One axial slice (66 of 102, counting up from the lowest) of a contrast-enhanced abdominal CT acquired with 120 kVp, kernel I40f; each pixel is 0.977 mm and the slice is 5.00 mm thick.
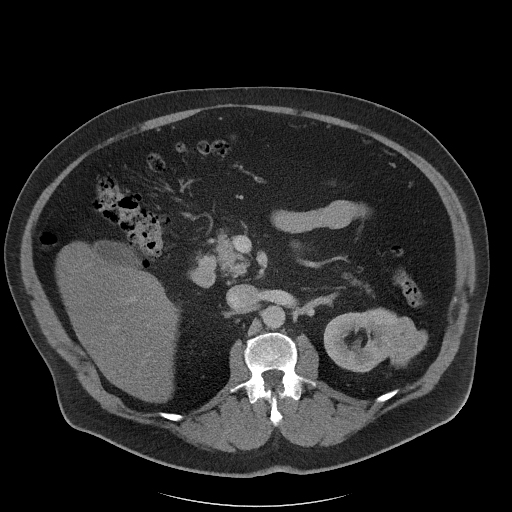
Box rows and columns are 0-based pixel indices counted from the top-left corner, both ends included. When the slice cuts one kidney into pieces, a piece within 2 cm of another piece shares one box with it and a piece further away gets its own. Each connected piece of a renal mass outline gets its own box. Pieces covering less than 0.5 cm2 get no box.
One kidney box and one renal mass box on this slice; by box centre, from the image's left to its right: (1) Left kidney, box rows 308–371, columns 323–399 (outlined area 2,958 px, about 28.2 cm2). (2) Left renal mass, box rows 316–367, columns 376–427 (outlined area 1,636 px, about 15.6 cm2).